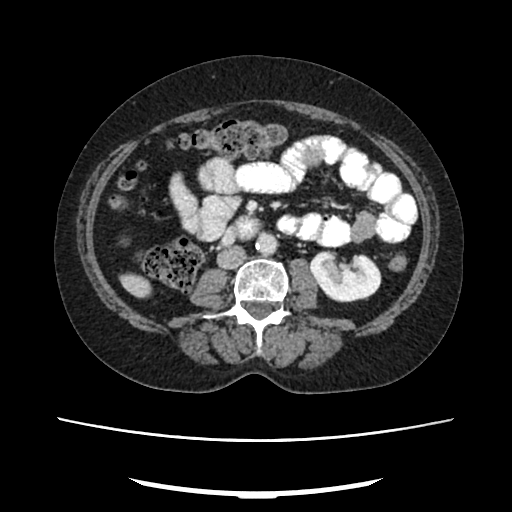
Abdominal CT with intravenous contrast, arterial phase, axial plane, 120 kVp, kernel FC18. Slice 118/207 from the bottom of the scan; thickness 2.00 mm; pixel size 0.741 mm.
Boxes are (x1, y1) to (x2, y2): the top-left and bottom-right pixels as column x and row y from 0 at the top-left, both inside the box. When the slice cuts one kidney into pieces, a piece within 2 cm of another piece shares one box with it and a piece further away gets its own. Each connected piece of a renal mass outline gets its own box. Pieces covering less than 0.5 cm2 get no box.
Box (308, 249) to (381, 302): left kidney (outlined area 2,824 px, about 15.5 cm2). No renal mass outline on this slice.